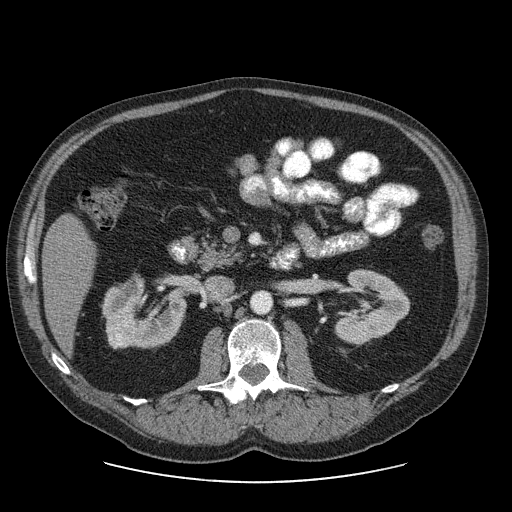
Contrast-enhanced abdominal CT, axial slice 40 of 103 (counted from the lowest slice); tube voltage 120 kVp, convolution kernel STANDARD; slices 2.50 mm thick, 0.820 mm per pixel.
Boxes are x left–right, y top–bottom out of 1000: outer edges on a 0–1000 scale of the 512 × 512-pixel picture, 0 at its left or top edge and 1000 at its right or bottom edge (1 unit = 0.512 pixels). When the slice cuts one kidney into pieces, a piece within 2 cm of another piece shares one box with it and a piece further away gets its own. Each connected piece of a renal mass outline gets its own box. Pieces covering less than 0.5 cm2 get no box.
Two kidney boxes and one renal mass box on this slice; by box centre, from the image's left to its right: (1) Right renal mass, box x 205–264, y 617–684 out of 1000 (outlined area 784 px, about 5.3 cm2). (2) Box x 197–365, y 533–682 out of 1000: right kidney (outlined area 3,701 px, about 24.9 cm2). (3) Box x 652–803, y 525–674 out of 1000: left kidney (outlined area 3,816 px, about 25.7 cm2).